Axial slice 572 of 987 of a contrast-enhanced abdominal CT in the arterial phase (slice 1 is the lowest), 120 kVp, kernel I26f; 1.00 mm slice thickness and 0.977 mm pixels.
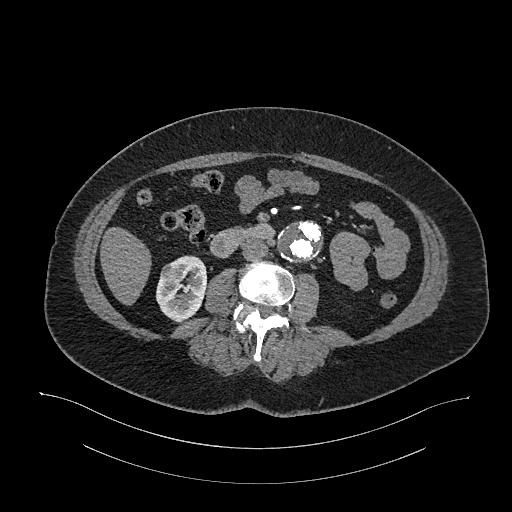
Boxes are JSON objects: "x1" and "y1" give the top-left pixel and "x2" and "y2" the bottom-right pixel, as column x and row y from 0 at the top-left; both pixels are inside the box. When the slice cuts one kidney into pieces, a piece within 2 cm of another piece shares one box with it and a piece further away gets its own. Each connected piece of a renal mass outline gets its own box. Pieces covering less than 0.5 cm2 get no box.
Boxed on this slice (one kidney box and one renal mass box), listed by box centre from the image's left to its right: (1) Right renal mass, box {"x1": 160, "y1": 261, "x2": 184, "y2": 281} (outlined area 371 px, about 3.5 cm2). (2) Box {"x1": 155, "y1": 255, "x2": 207, "y2": 322}: right kidney (outlined area 2,255 px, about 21.5 cm2).